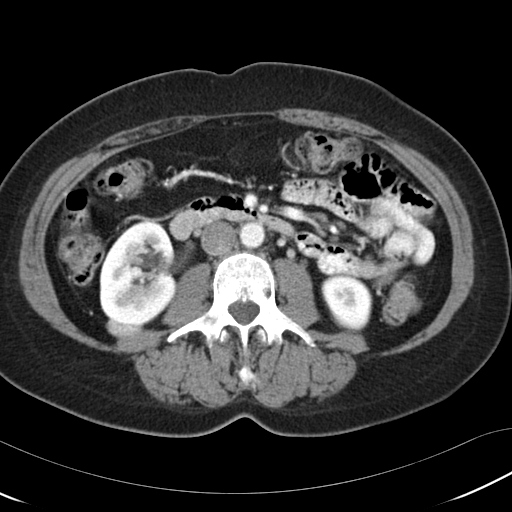
Axial slice 58 of 97 of a contrast-enhanced abdominal CT (slice 1 is the lowest), 120 kVp, kernel B30f; 5.00 mm slice thickness and 0.664 mm pixels.
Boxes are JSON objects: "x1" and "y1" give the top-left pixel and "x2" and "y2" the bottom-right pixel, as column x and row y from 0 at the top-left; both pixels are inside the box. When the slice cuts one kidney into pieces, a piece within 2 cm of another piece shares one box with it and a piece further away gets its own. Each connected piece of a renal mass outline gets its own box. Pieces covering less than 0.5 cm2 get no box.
Boxed on this slice (two kidney boxes and one renal mass box), listed by box centre from the image's left to its right: (1) Right renal mass at {"x1": 106, "y1": 316, "x2": 145, "y2": 338} (outlined area 683 px, about 3.0 cm2). (2) Right kidney at {"x1": 99, "y1": 220, "x2": 178, "y2": 324} (outlined area 6,249 px, about 27.6 cm2). (3) Box {"x1": 321, "y1": 275, "x2": 371, "y2": 333}: left kidney (outlined area 2,251 px, about 9.9 cm2).